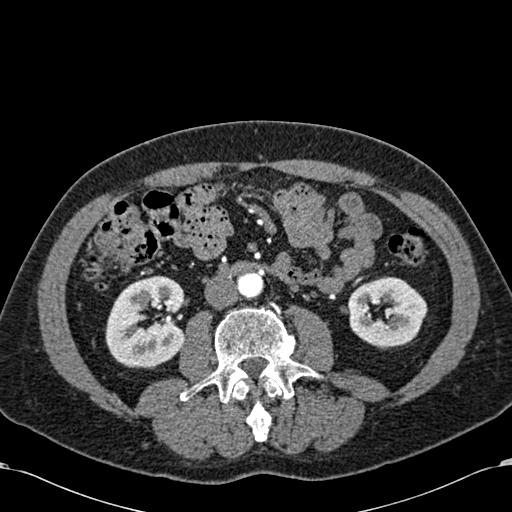
Axial slice 282 of 581 of a contrast-enhanced abdominal CT in the arterial phase (slice 1 is the lowest), 120 kVp, kernel B30f; 1.00 mm slice thickness and 0.713 mm pixels.
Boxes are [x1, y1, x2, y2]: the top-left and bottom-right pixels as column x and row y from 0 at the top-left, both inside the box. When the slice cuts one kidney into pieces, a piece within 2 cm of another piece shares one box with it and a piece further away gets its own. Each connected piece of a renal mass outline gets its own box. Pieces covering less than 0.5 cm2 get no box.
Two kidney boxes on this slice; by box centre, from the image's left to its right: (1) Right kidney, box [105, 275, 185, 368] (outlined area 5,727 px, about 29.1 cm2). (2) Left kidney, box [346, 276, 427, 349] (outlined area 4,246 px, about 21.6 cm2). No renal mass is outlined on this slice.